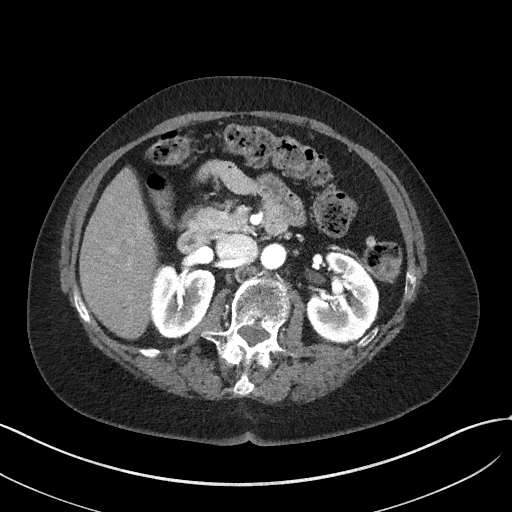
Axial slice 28 of 50 of a contrast-enhanced abdominal CT in the arterial phase (slice 1 is the lowest), 100 kVp, kernel I41f; 3.00 mm slice thickness and 0.758 mm pixels.
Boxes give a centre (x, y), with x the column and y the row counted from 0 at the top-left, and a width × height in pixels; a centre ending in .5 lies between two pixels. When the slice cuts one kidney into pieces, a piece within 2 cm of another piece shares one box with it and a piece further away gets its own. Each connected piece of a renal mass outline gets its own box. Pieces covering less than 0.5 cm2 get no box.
Two boxes on this slice (two kidney boxes), listed by box centre from the image's left to its right. (1) Right kidney, box centre (182, 301.5), 65 × 74 pixels (outlined area 3,653 px, about 21.0 cm2). (2) Left kidney, box centre (343, 297), 73 × 91 pixels (outlined area 4,794 px, about 27.5 cm2). No renal mass outline on this slice.